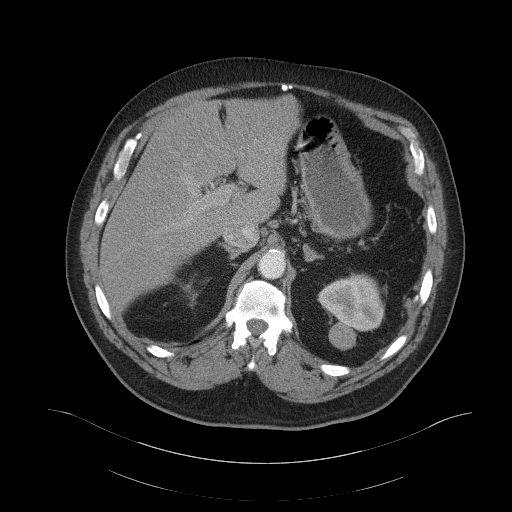
Abdominal CT with intravenous contrast, arterial phase, axial plane, 120 kVp, kernel B41f. Slice 82/103 from the bottom of the scan; thickness 5.00 mm; pixel size 0.951 mm.
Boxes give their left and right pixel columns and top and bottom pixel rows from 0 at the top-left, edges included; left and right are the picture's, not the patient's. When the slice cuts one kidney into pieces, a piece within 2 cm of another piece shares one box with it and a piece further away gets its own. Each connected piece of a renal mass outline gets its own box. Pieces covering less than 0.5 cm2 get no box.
Box with left 317, top 273, right 384, bottom 331: left kidney (outlined area 2,773 px, about 25.1 cm2). This slice carries no renal mass outline.